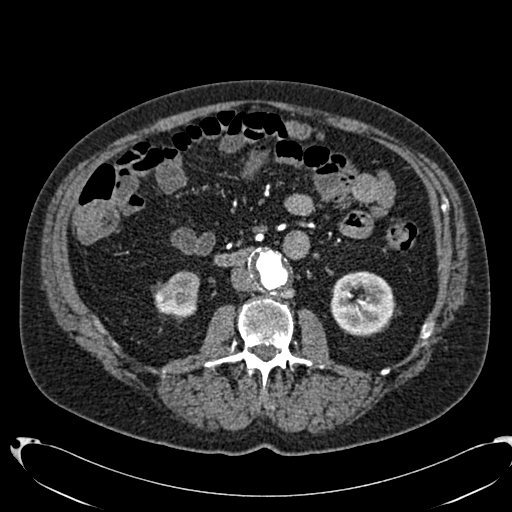
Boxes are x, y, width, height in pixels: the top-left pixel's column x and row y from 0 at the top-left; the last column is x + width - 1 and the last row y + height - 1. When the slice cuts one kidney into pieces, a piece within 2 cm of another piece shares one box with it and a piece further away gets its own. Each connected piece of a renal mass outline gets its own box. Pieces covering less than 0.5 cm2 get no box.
Arterial-phase contrast-enhanced abdominal CT, axial slice 366 of 553 (counted from the lowest slice); 1.00 mm thick, 0.773 mm per pixel. Two boxes on this slice (two kidney boxes), listed by box centre from the image's left to its right. (1) Box x 154, y 271, width 46, height 48: right kidney (outlined area 1,644 px, about 9.8 cm2). (2) Left kidney, box x 330, y 271, width 66, height 66 (outlined area 3,353 px, about 20.1 cm2). No renal mass is outlined on this slice.
Tube voltage 120 kVp; convolution kernel B20f.